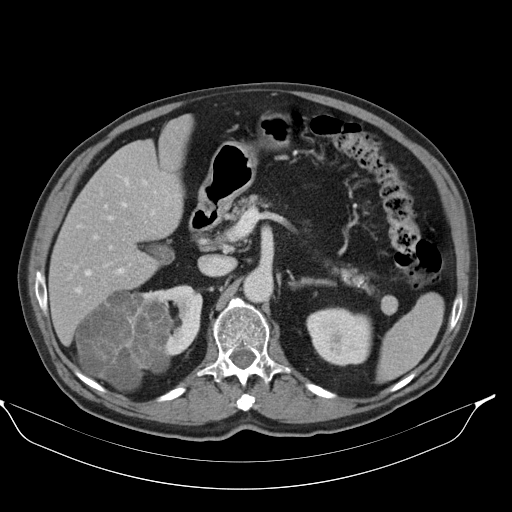
Axial slice 65 of 98 of a contrast-enhanced abdominal CT (slice 1 is the lowest), 130 kVp, kernel B30s; 5.00 mm slice thickness and 0.840 mm pixels.
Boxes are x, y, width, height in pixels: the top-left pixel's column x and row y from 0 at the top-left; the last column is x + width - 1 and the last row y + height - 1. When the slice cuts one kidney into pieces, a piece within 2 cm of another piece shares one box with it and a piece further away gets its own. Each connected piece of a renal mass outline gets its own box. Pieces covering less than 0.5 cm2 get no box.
Two kidney boxes and one renal mass box on this slice; by box centre, from the image's left to its right: (1) Box x 74, y 290, width 100, height 101: right renal mass (outlined area 7,335 px, about 51.7 cm2). (2) Right kidney, box x 143, y 284, width 60, height 73 (outlined area 2,047 px, about 14.4 cm2). (3) Left kidney at x 306, y 307, width 67, height 60 (outlined area 3,112 px, about 22.0 cm2).